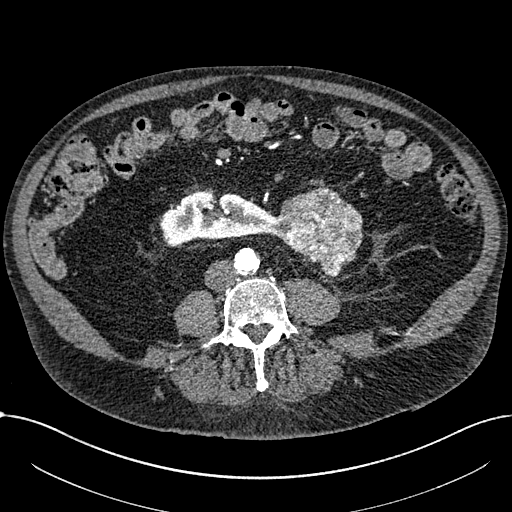
Arterial-phase contrast-enhanced abdominal CT, axial slice 259 of 1059 (counted from the lowest slice); tube voltage 100 kVp, convolution kernel I30f; slices 1.00 mm thick, 0.811 mm per pixel.
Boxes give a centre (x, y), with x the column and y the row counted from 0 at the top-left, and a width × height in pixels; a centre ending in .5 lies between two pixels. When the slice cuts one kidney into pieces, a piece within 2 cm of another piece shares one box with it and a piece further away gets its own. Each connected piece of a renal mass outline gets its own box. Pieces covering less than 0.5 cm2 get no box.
Two boxes on this slice (one kidney box and one renal mass box), listed by box centre from the image's left to its right. (1) Box centre (217, 217.5), 115 × 56 pixels: right part of the midline-crossing kidney (outlined area 4,397 px, about 28.9 cm2). (2) Renal mass, box centre (318, 231.5), 91 × 92 pixels (outlined area 5,398 px, about 35.5 cm2).